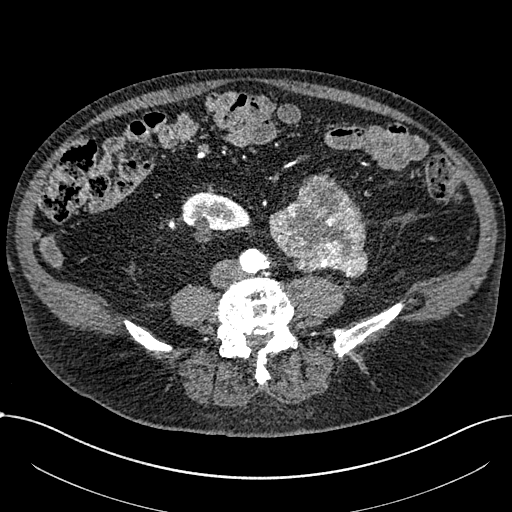
One axial slice (224 of 1059, counting up from the lowest) of an arterial-phase abdominal CT acquired with 100 kVp, kernel I30f; each pixel is 0.811 mm and the slice is 1.00 mm thick.
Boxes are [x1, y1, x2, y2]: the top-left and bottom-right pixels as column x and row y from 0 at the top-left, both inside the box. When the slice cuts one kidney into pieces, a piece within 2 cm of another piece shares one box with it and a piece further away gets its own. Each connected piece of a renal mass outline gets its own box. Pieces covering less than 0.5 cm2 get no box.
Two boxes on this slice (one kidney box and one renal mass box), listed by box centre from the image's left to its right. (1) Right part of the midline-crossing kidney, box [181, 192, 250, 242] (outlined area 2,250 px, about 14.8 cm2). (2) Box [269, 174, 367, 277]: renal mass (outlined area 7,098 px, about 46.6 cm2); here it is more than 1 cm from any kidney outline, though on another slice the same outlined renal mass lies within 1 cm of the kidney.